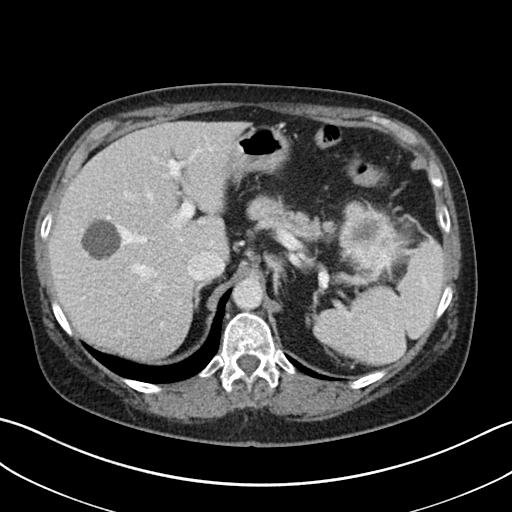
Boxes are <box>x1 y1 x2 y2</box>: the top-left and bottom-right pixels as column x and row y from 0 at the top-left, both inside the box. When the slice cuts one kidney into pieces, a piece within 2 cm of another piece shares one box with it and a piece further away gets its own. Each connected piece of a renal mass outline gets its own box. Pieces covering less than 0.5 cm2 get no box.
Contrast-enhanced abdominal CT, axial slice 32 of 38 (counted from the lowest slice); 5.00 mm thick, 0.730 mm per pixel. Left renal mass: <box>340 201 400 271</box> (outlined area 3,022 px, about 16.1 cm2); no kidney outline appears on this slice, but the same outlined renal mass comes within 1 cm of the kidney on another slice.
Tube voltage 100 kVp; convolution kernel I30f.